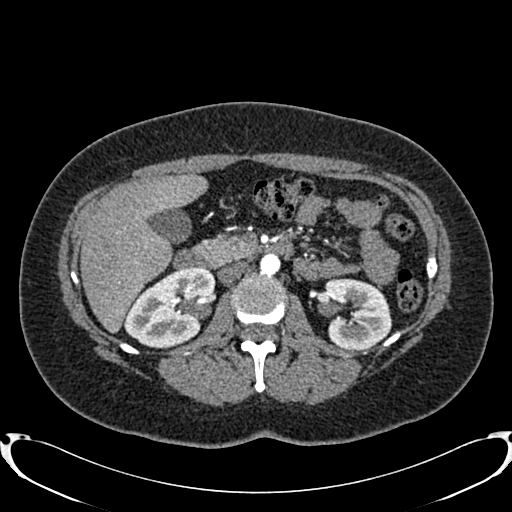
Abdominal CT with intravenous contrast, arterial phase, axial plane, 120 kVp, kernel B20f. Slice 472/719 from the bottom of the scan; thickness 1.00 mm; pixel size 0.766 mm.
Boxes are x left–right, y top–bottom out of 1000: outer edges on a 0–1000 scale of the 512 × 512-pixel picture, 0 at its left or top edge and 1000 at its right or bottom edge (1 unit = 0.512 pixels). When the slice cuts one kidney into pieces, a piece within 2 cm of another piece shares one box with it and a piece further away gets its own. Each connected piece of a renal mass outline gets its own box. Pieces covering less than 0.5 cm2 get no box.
Two boxes on this slice (two kidney boxes), listed by box centre from the image's left to its right. (1) Box x 240–422, y 521–682 out of 1000: right kidney (outlined area 5,218 px, about 30.6 cm2). (2) Left kidney at x 633–766, y 543–684 out of 1000 (outlined area 3,858 px, about 22.6 cm2). This slice carries no renal mass outline.